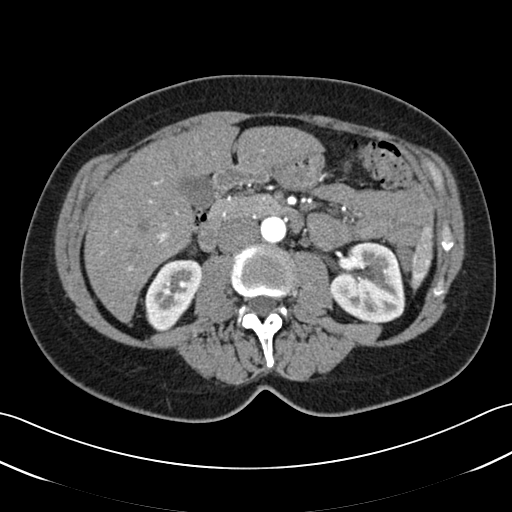
Axial slice 18 of 52 of a contrast-enhanced abdominal CT in the arterial phase (slice 1 is the lowest), 120 kVp, kernel B30f; 3.00 mm slice thickness and 0.678 mm pixels.
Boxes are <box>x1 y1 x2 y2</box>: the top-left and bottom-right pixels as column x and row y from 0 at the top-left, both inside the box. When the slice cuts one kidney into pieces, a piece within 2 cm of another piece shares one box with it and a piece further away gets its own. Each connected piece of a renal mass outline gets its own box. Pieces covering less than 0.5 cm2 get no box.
Two boxes on this slice (two kidney boxes), listed by box centre from the image's left to its right. (1) At <box>144 259 201 332</box>: right kidney (outlined area 2,878 px, about 13.2 cm2). (2) Left kidney: <box>329 242 405 323</box> (outlined area 4,795 px, about 22.0 cm2). No renal mass is outlined on this slice.